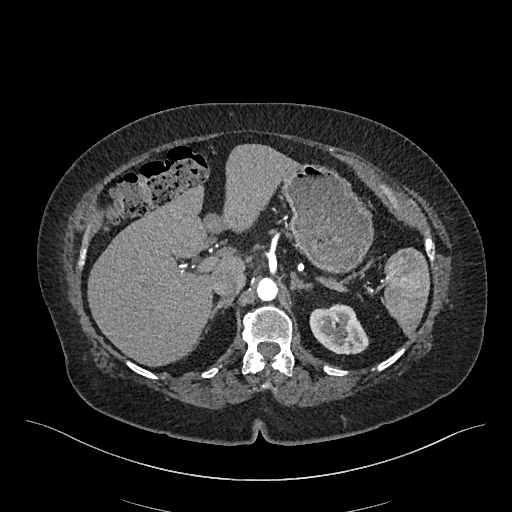
One axial slice (333 of 548, counting up from the lowest) of an arterial-phase abdominal CT acquired with 120 kVp, kernel I26f; each pixel is 0.852 mm and the slice is 1.00 mm thick.
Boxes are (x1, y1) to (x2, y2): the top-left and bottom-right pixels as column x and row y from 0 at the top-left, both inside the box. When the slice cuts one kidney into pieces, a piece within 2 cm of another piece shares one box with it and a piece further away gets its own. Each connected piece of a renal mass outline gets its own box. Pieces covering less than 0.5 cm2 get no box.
Left kidney from (309, 303) to (369, 354) (outlined area 2,249 px, about 16.3 cm2). This slice carries no renal mass outline.